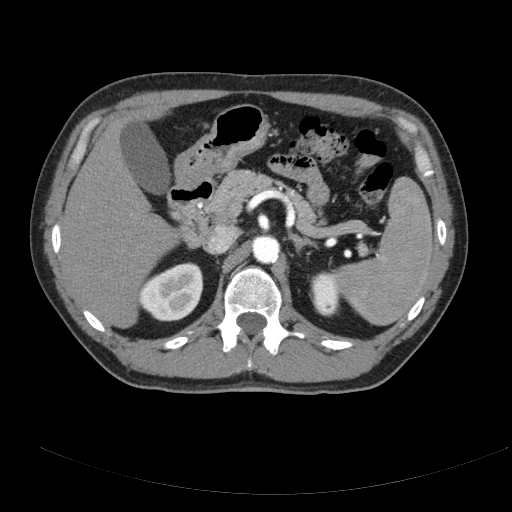
Axial slice 123 of 178 of a contrast-enhanced abdominal CT (slice 1 is the lowest), 120 kVp, kernel B; 3.00 mm slice thickness and 0.818 mm pixels.
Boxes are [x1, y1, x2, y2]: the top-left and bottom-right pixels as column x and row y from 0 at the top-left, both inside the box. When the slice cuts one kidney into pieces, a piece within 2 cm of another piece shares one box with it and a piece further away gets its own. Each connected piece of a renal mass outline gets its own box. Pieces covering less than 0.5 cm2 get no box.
Two boxes on this slice (two kidney boxes), listed by box centre from the image's left to its right. (1) Right kidney at [139, 262, 203, 321] (outlined area 2,859 px, about 19.1 cm2). (2) Box [309, 271, 339, 316]: left kidney (outlined area 1,100 px, about 7.4 cm2). This slice carries no renal mass outline.